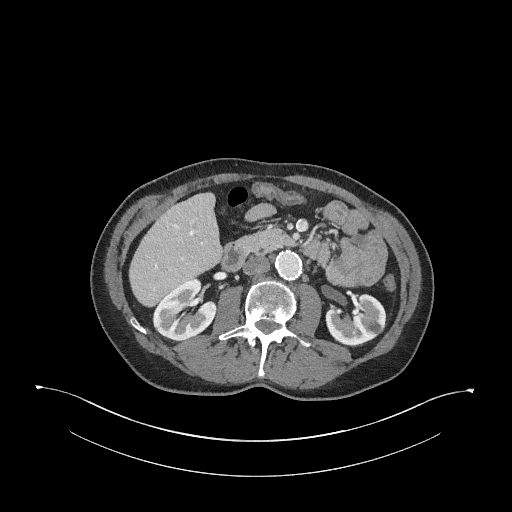
Arterial-phase contrast-enhanced abdominal CT, axial slice 151 of 345 (counted from the lowest slice); tube voltage 120 kVp, convolution kernel I31f; slices 2.00 mm thick, 0.977 mm per pixel.
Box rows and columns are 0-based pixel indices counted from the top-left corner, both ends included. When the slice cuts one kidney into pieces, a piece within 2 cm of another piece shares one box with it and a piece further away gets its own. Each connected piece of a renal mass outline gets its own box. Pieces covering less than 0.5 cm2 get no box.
Two boxes on this slice (two kidney boxes), listed by box centre from the image's left to its right. (1) Box rows 278–340, columns 152–216: right kidney (outlined area 2,794 px, about 26.6 cm2). (2) Left kidney, box rows 292–345, columns 325–386 (outlined area 2,287 px, about 21.8 cm2). This slice carries no renal mass outline.